One axial slice (108 of 145, counting up from the lowest) of a contrast-enhanced abdominal CT acquired with 120 kVp, kernel B41f; each pixel is 0.859 mm and the slice is 5.00 mm thick.
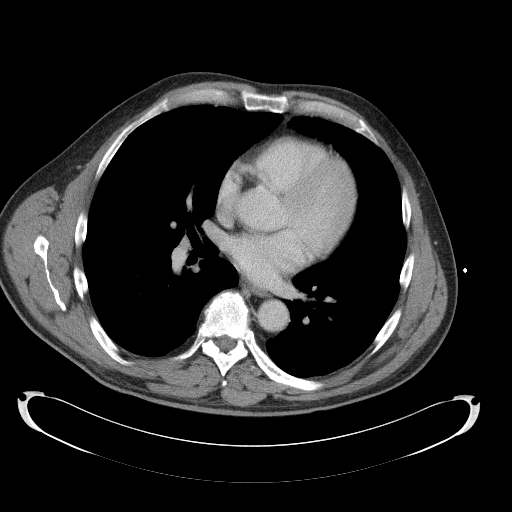
No kidney and no renal mass is outlined on this slice; the outlines in this scan cover only the kidneys and the renal masses, so nothing is said about any other organ.